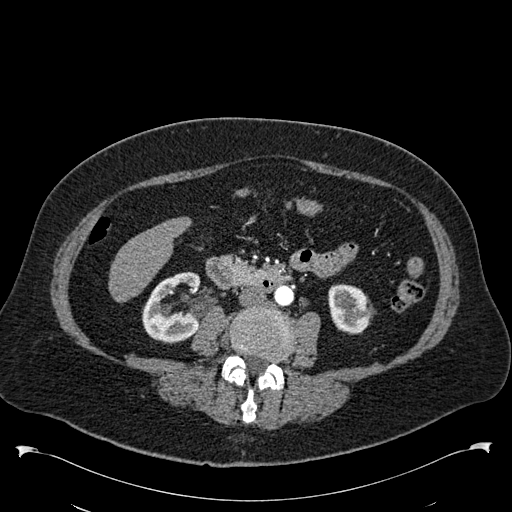
One axial slice (255 of 538, counting up from the lowest) of an arterial-phase abdominal CT acquired with 120 kVp, kernel B30f; each pixel is 0.811 mm and the slice is 1.00 mm thick.
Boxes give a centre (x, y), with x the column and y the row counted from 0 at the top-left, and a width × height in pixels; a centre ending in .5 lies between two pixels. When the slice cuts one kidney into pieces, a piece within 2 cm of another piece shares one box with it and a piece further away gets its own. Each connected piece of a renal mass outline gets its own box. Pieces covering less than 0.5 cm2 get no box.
Two kidney boxes on this slice; by box centre, from the image's left to its right: (1) Right kidney in a box with centre (171.5, 307), 60 × 73 pixels (outlined area 2,996 px, about 19.7 cm2). (2) Left kidney in a box with centre (351.5, 309), 48 × 51 pixels (outlined area 1,805 px, about 11.9 cm2). No renal mass outline on this slice.